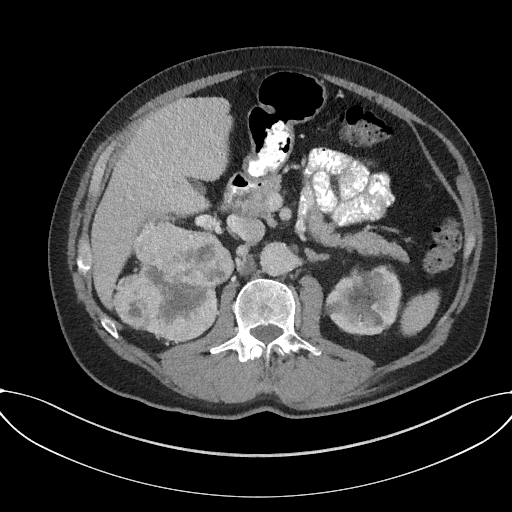
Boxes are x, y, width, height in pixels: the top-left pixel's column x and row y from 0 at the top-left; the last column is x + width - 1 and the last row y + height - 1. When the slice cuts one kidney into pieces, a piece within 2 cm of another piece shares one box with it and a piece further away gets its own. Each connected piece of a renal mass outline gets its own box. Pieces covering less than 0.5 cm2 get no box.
Arterial-phase contrast-enhanced abdominal CT, axial slice 101 of 227 (counted from the lowest slice); 3.00 mm thick, 0.816 mm per pixel. Two boxes on this slice (one kidney box and one renal mass box), listed by box centre from the image's left to its right. (1) Box x 113, y 222, width 122, height 120: right renal mass (outlined area 10,292 px, about 68.6 cm2); here it is more than 1 cm from any kidney outline, though on another slice the same outlined renal mass lies within 1 cm of the kidney. (2) Box x 325, y 265, width 77, height 71: left kidney (outlined area 4,065 px, about 27.1 cm2).
Scan settings: 120 kVp, I31f reconstruction kernel.